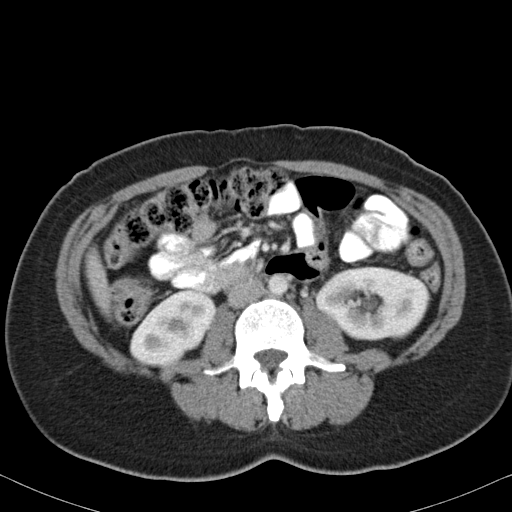
Axial slice 54 of 82 of a contrast-enhanced abdominal CT in the arterial phase (slice 1 is the lowest), 120 kVp, kernel B31f; 5.00 mm slice thickness and 0.625 mm pixels.
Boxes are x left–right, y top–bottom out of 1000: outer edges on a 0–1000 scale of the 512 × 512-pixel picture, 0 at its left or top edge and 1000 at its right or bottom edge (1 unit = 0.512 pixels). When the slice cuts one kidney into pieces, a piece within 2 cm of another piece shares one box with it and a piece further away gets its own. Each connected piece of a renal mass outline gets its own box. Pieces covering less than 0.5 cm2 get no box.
Two boxes on this slice (two kidney boxes), listed by box centre from the image's left to its right. (1) Box x 254–424, y 566–719 out of 1000: right kidney (outlined area 4,473 px, about 17.5 cm2). (2) Box x 613–840, y 520–666 out of 1000: left kidney (outlined area 6,514 px, about 25.4 cm2). No renal mass outline on this slice.